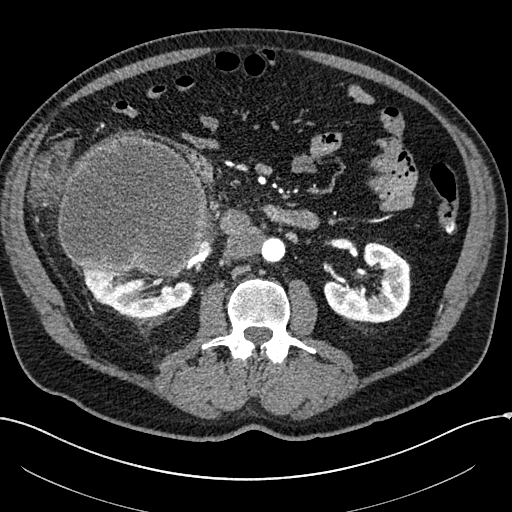
One axial slice (105 of 304, counting up from the lowest) of an arterial-phase abdominal CT acquired with 100 kVp, kernel I30f; each pixel is 0.809 mm and the slice is 2.00 mm thick.
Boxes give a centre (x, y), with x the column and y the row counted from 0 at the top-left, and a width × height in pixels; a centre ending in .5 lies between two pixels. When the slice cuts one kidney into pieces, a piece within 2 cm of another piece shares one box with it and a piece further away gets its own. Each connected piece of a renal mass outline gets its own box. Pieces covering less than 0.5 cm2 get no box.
Three boxes on this slice (two kidney boxes and one renal mass box), listed by box centre from the image's left to its right. (1) Right renal mass, box centre (132, 204.5), 151 × 140 pixels (outlined area 16,773 px, about 109.7 cm2). (2) Right kidney, box centre (134.5, 291.5), 118 × 54 pixels (outlined area 3,963 px, about 25.9 cm2). (3) Box centre (367, 282.5), 89 × 82 pixels: left kidney (outlined area 4,550 px, about 29.7 cm2).